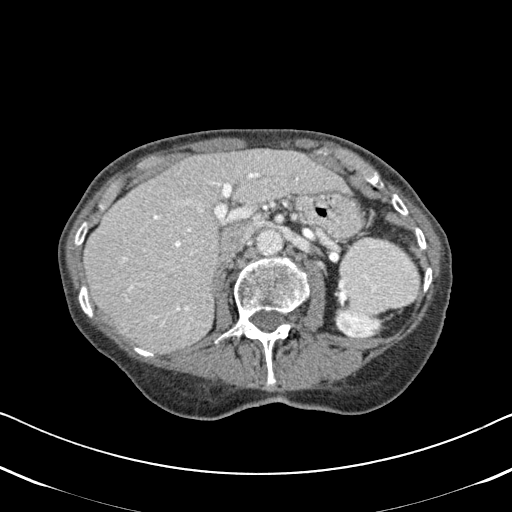
Abdominal CT with intravenous contrast, arterial phase, axial plane, 120 kVp, kernel B31f. Slice 317/620 from the bottom of the scan; thickness 2.00 mm; pixel size 0.637 mm.
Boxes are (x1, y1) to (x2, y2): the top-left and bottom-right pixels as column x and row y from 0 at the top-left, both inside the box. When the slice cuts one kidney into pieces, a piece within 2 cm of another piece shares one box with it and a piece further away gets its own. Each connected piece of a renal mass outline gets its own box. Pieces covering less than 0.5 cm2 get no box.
Left kidney, box (333, 308) to (383, 337) (outlined area 1,122 px, about 4.5 cm2). No renal mass is outlined on this slice.